Arterial-phase contrast-enhanced abdominal CT, axial slice 130 of 302 (counted from the lowest slice); tube voltage 100 kVp, convolution kernel I30f; slices 5.00 mm thick, 0.875 mm per pixel.
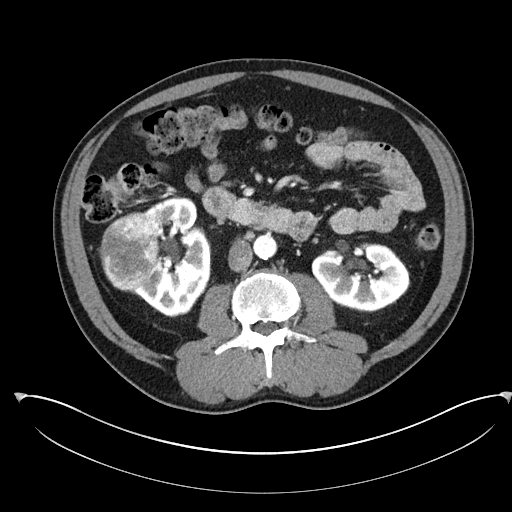
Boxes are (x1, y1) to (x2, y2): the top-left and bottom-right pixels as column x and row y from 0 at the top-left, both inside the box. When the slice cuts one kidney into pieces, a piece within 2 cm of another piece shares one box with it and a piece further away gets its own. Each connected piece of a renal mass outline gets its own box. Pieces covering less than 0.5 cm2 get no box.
Boxed on this slice (two kidney boxes and one renal mass box), listed by box centre from the image's left to its right: (1) Right renal mass, box (101, 212) to (157, 291) (outlined area 3,565 px, about 27.3 cm2). (2) Box (130, 197) to (210, 317): right kidney (outlined area 5,981 px, about 45.8 cm2). (3) Left kidney from (311, 242) to (410, 312) (outlined area 5,079 px, about 38.9 cm2).